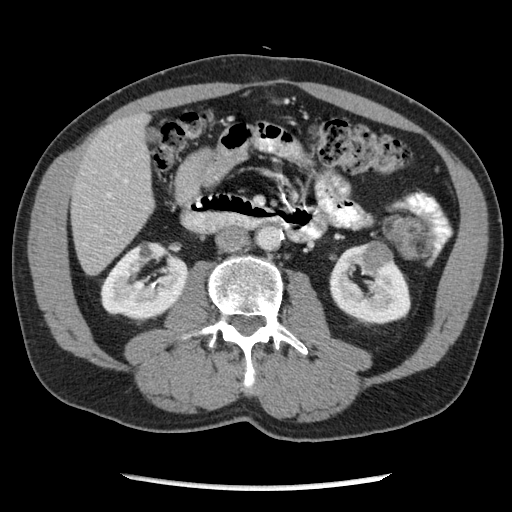
Arterial-phase contrast-enhanced abdominal CT, axial slice 112 of 262 (counted from the lowest slice); tube voltage 120 kVp, convolution kernel STANDARD; slices 2.50 mm thick, 0.703 mm per pixel.
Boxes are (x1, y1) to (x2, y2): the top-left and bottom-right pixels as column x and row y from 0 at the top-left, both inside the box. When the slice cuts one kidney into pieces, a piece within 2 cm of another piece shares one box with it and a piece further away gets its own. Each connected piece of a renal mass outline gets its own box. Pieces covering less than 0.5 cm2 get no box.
Two kidney boxes and one renal mass box on this slice; by box centre, from the image's left to its right: (1) Right kidney, box (100, 241) to (187, 320) (outlined area 4,847 px, about 24.0 cm2). (2) Box (329, 243) to (411, 324): left kidney (outlined area 4,290 px, about 21.2 cm2). (3) Left renal mass from (362, 240) to (393, 275) (outlined area 800 px, about 4.0 cm2).